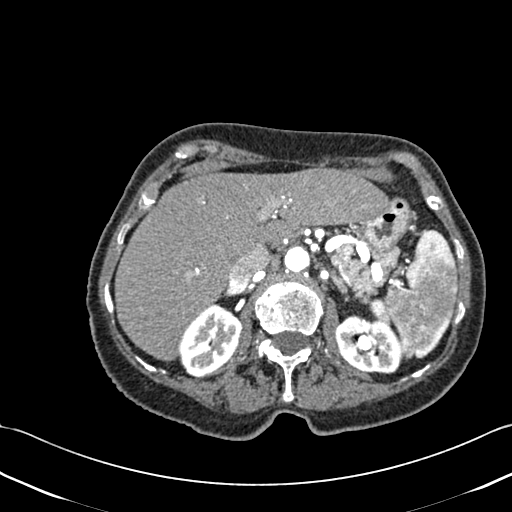
Contrast-enhanced abdominal CT, axial slice 305 of 433 (counted from the lowest slice); tube voltage 120 kVp, convolution kernel B30f; slices 1.00 mm thick, 0.672 mm per pixel.
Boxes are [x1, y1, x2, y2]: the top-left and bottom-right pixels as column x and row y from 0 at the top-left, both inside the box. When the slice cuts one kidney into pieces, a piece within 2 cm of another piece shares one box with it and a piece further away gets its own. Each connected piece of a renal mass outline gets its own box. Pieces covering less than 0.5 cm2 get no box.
Boxed on this slice (two kidney boxes), listed by box centre from the image's left to its right: (1) Right kidney, box [179, 303, 242, 376] (outlined area 3,225 px, about 14.6 cm2). (2) Box [335, 315, 401, 373]: left kidney (outlined area 2,997 px, about 13.5 cm2). No renal mass outline on this slice.